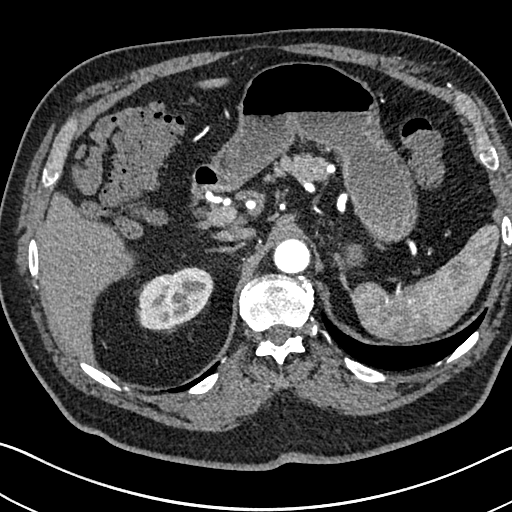
Arterial-phase contrast-enhanced abdominal CT, axial slice 535 of 705 (counted from the lowest slice); tube voltage 120 kVp, convolution kernel I30f; slices 1.00 mm thick, 0.703 mm per pixel.
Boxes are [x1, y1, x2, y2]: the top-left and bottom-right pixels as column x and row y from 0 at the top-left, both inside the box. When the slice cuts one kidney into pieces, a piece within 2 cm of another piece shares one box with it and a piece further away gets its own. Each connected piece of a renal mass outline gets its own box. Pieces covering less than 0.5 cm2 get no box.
Right kidney at [137, 267, 213, 330] (outlined area 3,628 px, about 17.9 cm2). No renal mass is outlined on this slice.